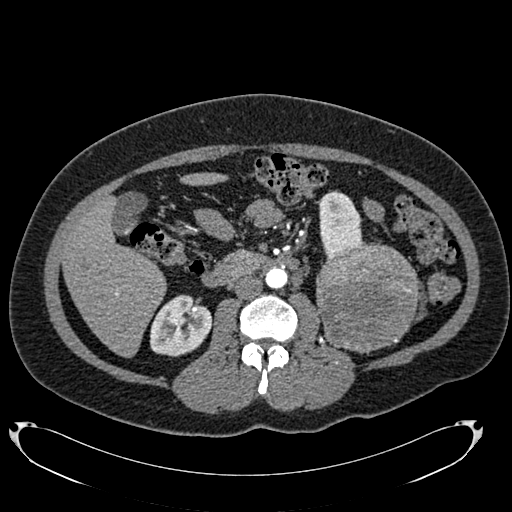
One axial slice (390 of 634, counting up from the lowest) of an arterial-phase abdominal CT acquired with 120 kVp, kernel B20f; each pixel is 0.838 mm and the slice is 1.00 mm thick.
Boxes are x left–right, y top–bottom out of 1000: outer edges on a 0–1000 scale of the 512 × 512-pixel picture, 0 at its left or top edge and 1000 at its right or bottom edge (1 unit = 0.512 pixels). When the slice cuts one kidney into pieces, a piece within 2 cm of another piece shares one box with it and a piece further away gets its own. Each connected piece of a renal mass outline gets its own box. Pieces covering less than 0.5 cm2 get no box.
Boxed on this slice (two kidney boxes and one renal mass box), listed by box centre from the image's left to its right: (1) Right kidney at x 293–416, y 574–697 out of 1000 (outlined area 2,917 px, about 20.5 cm2). (2) Left kidney at x 617–715, y 371–504 out of 1000 (outlined area 2,199 px, about 15.4 cm2). (3) Left renal mass, box x 617–820, y 473–693 out of 1000 (outlined area 9,129 px, about 64.1 cm2).